Abdominal CT with intravenous contrast, arterial phase, axial plane, 120 kVp, kernel B31f. Slice 230/279 from the bottom of the scan; thickness 2.00 mm; pixel size 0.824 mm.
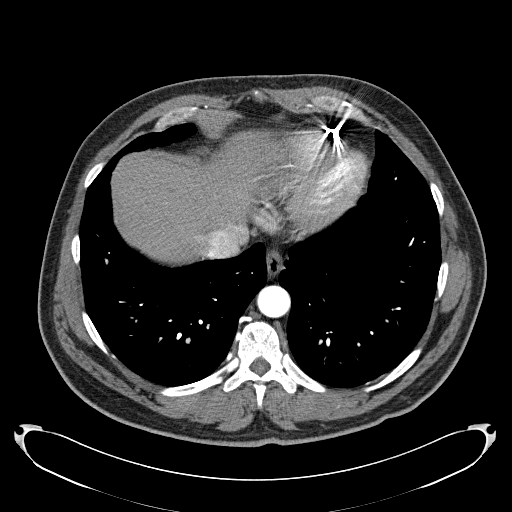
This slice carries no outline: it lies beyond the outlined kidneys and beyond every outlined renal mass. Other organs are not outlined in this scan.